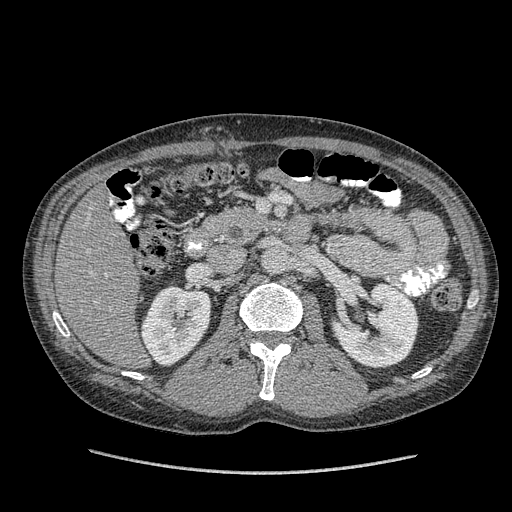
Abdominal CT with intravenous contrast, arterial phase, axial plane, 120 kVp, kernel STANDARD. Slice 219/349 from the bottom of the scan; thickness 1.25 mm; pixel size 0.742 mm.
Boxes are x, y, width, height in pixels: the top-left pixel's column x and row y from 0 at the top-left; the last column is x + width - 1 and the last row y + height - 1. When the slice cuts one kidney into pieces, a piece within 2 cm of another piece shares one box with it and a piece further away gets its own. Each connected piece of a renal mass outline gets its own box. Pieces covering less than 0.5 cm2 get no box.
Two kidney boxes on this slice; by box centre, from the image's left to its right: (1) Box x 138, y 285, width 74, height 82: right kidney (outlined area 4,221 px, about 23.3 cm2). (2) Left kidney at x 331, y 283, width 88, height 86 (outlined area 5,269 px, about 29.0 cm2). No renal mass outline on this slice.